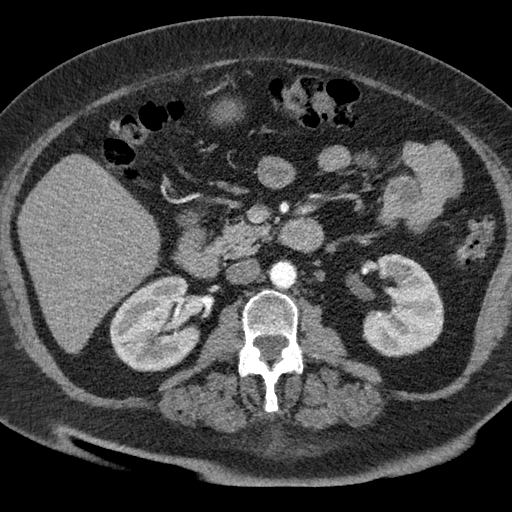
Axial slice 33 of 76 of a contrast-enhanced abdominal CT (slice 1 is the lowest), 120 kVp, kernel B; 3.00 mm slice thickness and 0.684 mm pixels.
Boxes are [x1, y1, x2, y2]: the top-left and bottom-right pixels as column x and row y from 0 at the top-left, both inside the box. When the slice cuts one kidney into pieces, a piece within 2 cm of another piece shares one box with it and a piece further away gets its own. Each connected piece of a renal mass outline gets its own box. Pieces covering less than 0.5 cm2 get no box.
Two boxes on this slice (two kidney boxes), listed by box centre from the image's left to its right. (1) Right kidney, box [109, 275, 200, 371] (outlined area 6,529 px, about 30.5 cm2). (2) Box [362, 253, 443, 357]: left kidney (outlined area 5,921 px, about 27.7 cm2). No renal mass outline on this slice.